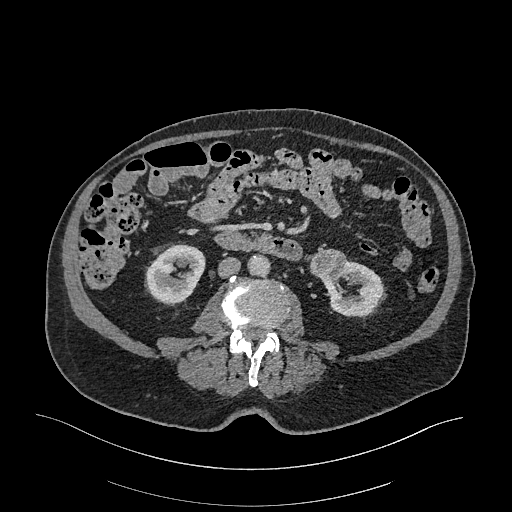
Arterial-phase contrast-enhanced abdominal CT, axial slice 109 of 470 (counted from the lowest slice); tube voltage 120 kVp, convolution kernel I26f; slices 1.00 mm thick, 0.938 mm per pixel.
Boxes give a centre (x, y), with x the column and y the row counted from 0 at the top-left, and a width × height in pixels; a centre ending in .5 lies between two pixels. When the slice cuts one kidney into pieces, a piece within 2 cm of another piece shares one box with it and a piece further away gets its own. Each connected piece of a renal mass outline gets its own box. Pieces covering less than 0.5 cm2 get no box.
Boxed on this slice (two kidney boxes and one renal mass box), listed by box centre from the image's left to its right: (1) Box centre (175.5, 274.5), 60 × 62 pixels: right kidney (outlined area 2,645 px, about 23.2 cm2). (2) Box centre (327.5, 263.5), 38 × 32 pixels: left renal mass (outlined area 932 px, about 8.2 cm2). (3) Box centre (352.5, 288.5), 64 × 58 pixels: left kidney (outlined area 2,219 px, about 19.5 cm2).